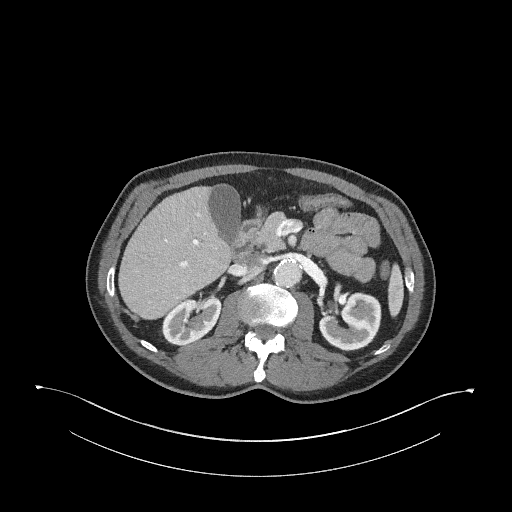
Abdominal CT with intravenous contrast, arterial phase, axial plane, 120 kVp, kernel I31f. Slice 161/345 from the bottom of the scan; thickness 2.00 mm; pixel size 0.977 mm.
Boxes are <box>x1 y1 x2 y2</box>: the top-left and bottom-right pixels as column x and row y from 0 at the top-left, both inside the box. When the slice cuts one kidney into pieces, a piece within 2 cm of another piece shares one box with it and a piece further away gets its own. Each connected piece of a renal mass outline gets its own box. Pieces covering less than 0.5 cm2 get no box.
Two boxes on this slice (two kidney boxes), listed by box centre from the image's left to its right. (1) At <box>161 295 221 345</box>: right kidney (outlined area 2,155 px, about 20.6 cm2). (2) Left kidney at <box>319 292 381 351</box> (outlined area 2,737 px, about 26.1 cm2). This slice carries no renal mass outline.